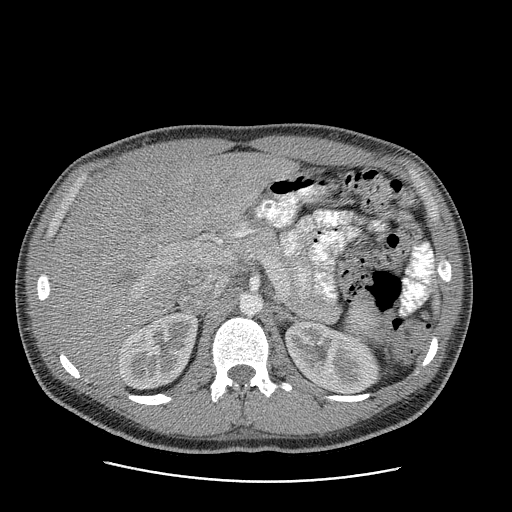
Axial slice 162 of 199 of a contrast-enhanced abdominal CT in the arterial phase (slice 1 is the lowest), 120 kVp, kernel STANDARD; 2.50 mm slice thickness and 0.789 mm pixels.
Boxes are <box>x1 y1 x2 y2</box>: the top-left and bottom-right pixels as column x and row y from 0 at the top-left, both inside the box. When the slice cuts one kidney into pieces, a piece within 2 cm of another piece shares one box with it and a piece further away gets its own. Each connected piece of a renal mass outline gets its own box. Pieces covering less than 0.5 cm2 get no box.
Two kidney boxes on this slice; by box centre, from the image's left to its right: (1) At <box>118 311 198 390</box>: right kidney (outlined area 4,545 px, about 28.3 cm2). (2) Left kidney at <box>284 321 382 394</box> (outlined area 5,023 px, about 31.3 cm2). No renal mass outline on this slice.